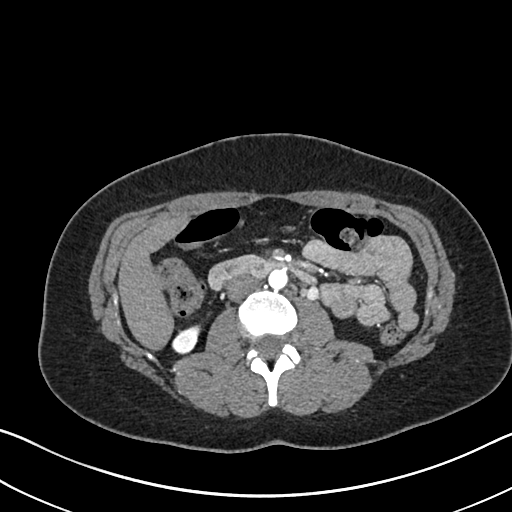
Axial slice 361 of 612 of a contrast-enhanced abdominal CT in the arterial phase (slice 1 is the lowest), 120 kVp, kernel I30f; 1.00 mm slice thickness and 0.703 mm pixels.
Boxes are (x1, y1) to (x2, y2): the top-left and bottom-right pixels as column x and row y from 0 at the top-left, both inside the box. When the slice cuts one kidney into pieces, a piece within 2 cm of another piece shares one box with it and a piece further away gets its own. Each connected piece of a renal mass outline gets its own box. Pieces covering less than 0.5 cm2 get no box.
Right kidney, box (171, 324) to (201, 353) (outlined area 584 px, about 2.9 cm2). This slice carries no renal mass outline.